Arterial-phase contrast-enhanced abdominal CT, axial slice 247 of 673 (counted from the lowest slice); tube voltage 120 kVp, convolution kernel I30f; slices 1.00 mm thick, 0.855 mm per pixel.
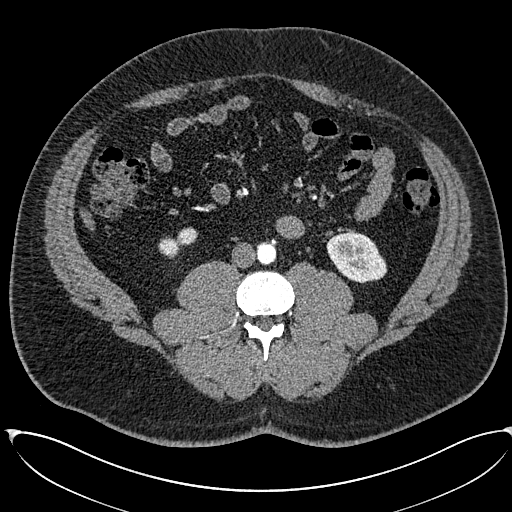
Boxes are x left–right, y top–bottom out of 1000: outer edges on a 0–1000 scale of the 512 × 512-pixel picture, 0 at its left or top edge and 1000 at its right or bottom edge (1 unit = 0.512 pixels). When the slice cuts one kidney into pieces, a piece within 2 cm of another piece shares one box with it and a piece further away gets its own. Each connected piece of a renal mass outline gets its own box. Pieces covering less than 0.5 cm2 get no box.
Two kidney boxes on this slice; by box centre, from the image's left to its right: (1) Box x 309–389, y 443–502 out of 1000: right kidney (outlined area 665 px, about 4.9 cm2). (2) Left kidney, box x 637–758, y 453–555 out of 1000 (outlined area 2,261 px, about 16.5 cm2). This slice carries no renal mass outline.